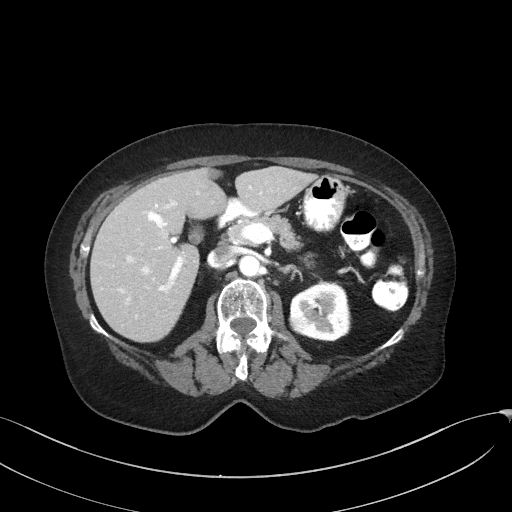
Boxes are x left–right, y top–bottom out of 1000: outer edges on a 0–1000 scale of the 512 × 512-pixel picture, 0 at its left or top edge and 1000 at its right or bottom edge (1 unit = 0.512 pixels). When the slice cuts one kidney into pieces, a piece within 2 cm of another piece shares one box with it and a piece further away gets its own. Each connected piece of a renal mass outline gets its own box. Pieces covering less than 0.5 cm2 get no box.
Slice 97/129 of a contrast-enhanced abdominal CT in the arterial phase, counting up from the lowest; pixel size 0.779 mm, slice thickness 3.00 mm. Boxed on this slice (one kidney box and one renal mass box), listed by box centre from the image's left to its right: (1) Left renal mass, box x 563–602, y 615–654 out of 1000 (outlined area 305 px, about 1.9 cm2). (2) Left kidney at x 566–688, y 547–668 out of 1000 (outlined area 2,751 px, about 16.7 cm2).
Tube voltage 100 kVp; convolution kernel I41f.